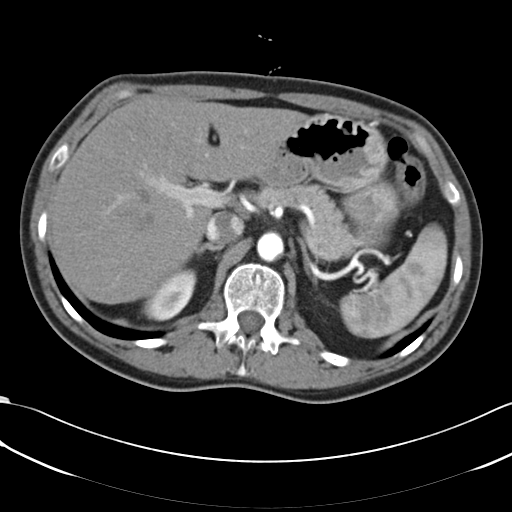
Arterial-phase contrast-enhanced abdominal CT, axial slice 46 of 66 (counted from the lowest slice); tube voltage 120 kVp, convolution kernel B30f; slices 5.00 mm thick, 0.678 mm per pixel.
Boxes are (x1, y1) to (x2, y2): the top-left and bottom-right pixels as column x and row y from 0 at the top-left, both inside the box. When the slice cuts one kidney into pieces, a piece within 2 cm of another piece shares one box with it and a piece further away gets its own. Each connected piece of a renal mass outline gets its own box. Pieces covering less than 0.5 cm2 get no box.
Box (141, 268) to (196, 320): right kidney (outlined area 1,632 px, about 7.5 cm2). This slice carries no renal mass outline.